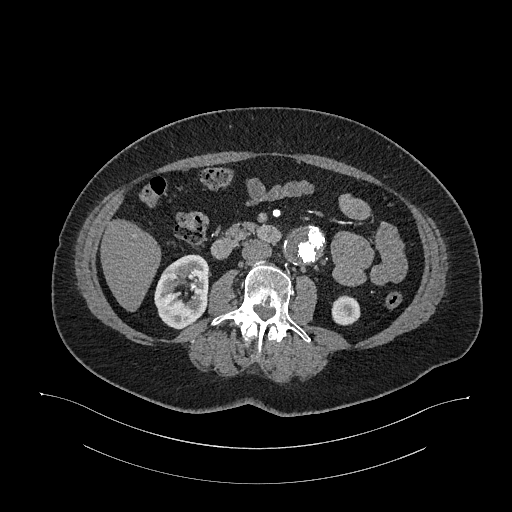
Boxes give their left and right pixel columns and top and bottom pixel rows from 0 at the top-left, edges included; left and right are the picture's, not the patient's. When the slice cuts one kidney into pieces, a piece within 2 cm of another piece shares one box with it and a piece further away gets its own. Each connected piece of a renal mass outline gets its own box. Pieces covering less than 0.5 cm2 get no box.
This is axial slice 590 of 987 (slice 1 is the lowest) of an arterial-phase abdominal CT with contrast; each pixel is 0.977 mm and the slice is 1.00 mm thick. Two kidney boxes on this slice; by box centre, from the image's left to its right: (1) Right kidney in the box with left 154, top 254, right 209, bottom 329 (outlined area 3,107 px, about 29.6 cm2). (2) Left kidney in the box with left 331, top 295, right 360, bottom 325 (outlined area 723 px, about 6.9 cm2). This slice carries no renal mass outline.
Tube voltage 120 kVp; convolution kernel I26f.